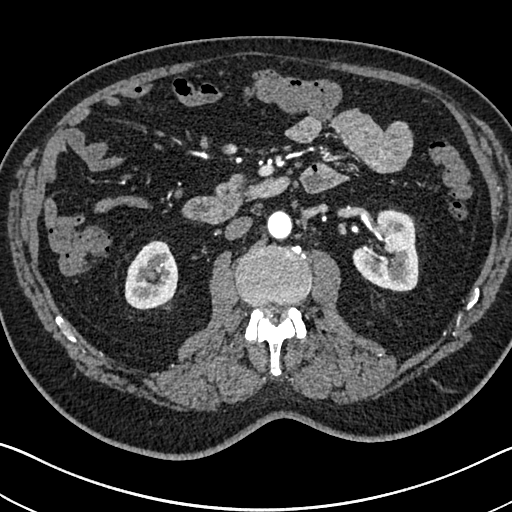
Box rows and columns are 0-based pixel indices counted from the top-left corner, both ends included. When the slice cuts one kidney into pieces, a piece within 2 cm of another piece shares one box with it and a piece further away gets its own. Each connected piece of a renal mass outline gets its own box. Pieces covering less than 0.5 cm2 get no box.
Slice 394/705 of a contrast-enhanced abdominal CT in the arterial phase, counting up from the lowest; pixel size 0.703 mm, slice thickness 1.00 mm. Boxed on this slice (two kidney boxes), listed by box centre from the image's left to its right: (1) Right kidney, box rows 240–309, columns 124–178 (outlined area 2,898 px, about 14.3 cm2). (2) Left kidney, box rows 209–291, columns 352–418 (outlined area 4,001 px, about 19.8 cm2). This slice carries no renal mass outline.
Scan settings: 120 kVp, I30f reconstruction kernel.